One axial slice (176 of 285, counting up from the lowest) of an arterial-phase abdominal CT acquired with 120 kVp, kernel B31f; each pixel is 0.762 mm and the slice is 2.00 mm thick.
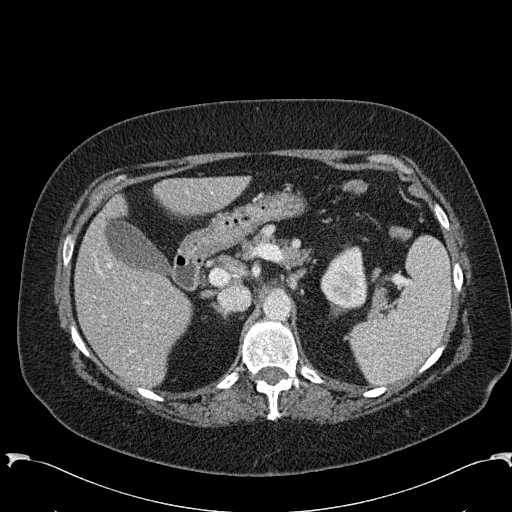
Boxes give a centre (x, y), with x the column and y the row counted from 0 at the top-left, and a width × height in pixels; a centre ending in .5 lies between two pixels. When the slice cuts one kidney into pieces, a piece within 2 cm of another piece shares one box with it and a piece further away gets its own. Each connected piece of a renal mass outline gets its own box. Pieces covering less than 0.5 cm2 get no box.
Left kidney, box centre (344, 277.5), 49 × 64 pixels (outlined area 2,264 px, about 13.1 cm2). No renal mass is outlined on this slice.